Axial slice 59 of 140 of a contrast-enhanced abdominal CT in the arterial phase (slice 1 is the lowest), 120 kVp, kernel B31f; 5.00 mm slice thickness and 0.754 mm pixels.
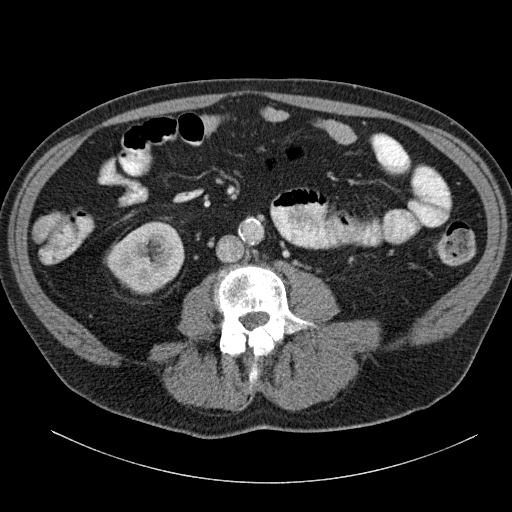
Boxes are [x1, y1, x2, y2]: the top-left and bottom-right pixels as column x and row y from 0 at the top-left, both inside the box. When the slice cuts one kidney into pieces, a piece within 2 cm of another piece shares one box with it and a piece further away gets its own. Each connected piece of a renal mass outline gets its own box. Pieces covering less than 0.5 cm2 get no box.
Right kidney, box [103, 221, 184, 295] (outlined area 4,165 px, about 23.7 cm2). No renal mass is outlined on this slice.